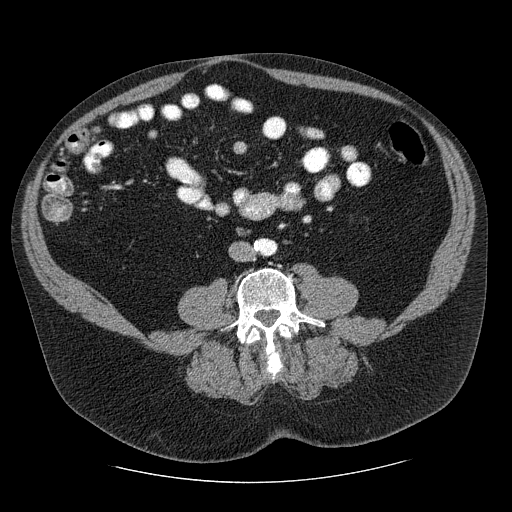
Axial slice 100 of 206 of a contrast-enhanced abdominal CT (slice 1 is the lowest), 120 kVp, kernel STANDARD; 2.50 mm slice thickness and 0.879 mm pixels.
Neither a kidney nor a renal mass is outlined here. Only kidneys and renal masses are outlined anywhere in this scan; other structures are never outlined.